Contrast-enhanced abdominal CT, axial slice 20 of 76 (counted from the lowest slice); tube voltage 120 kVp, convolution kernel B; slices 3.00 mm thick, 0.684 mm per pixel.
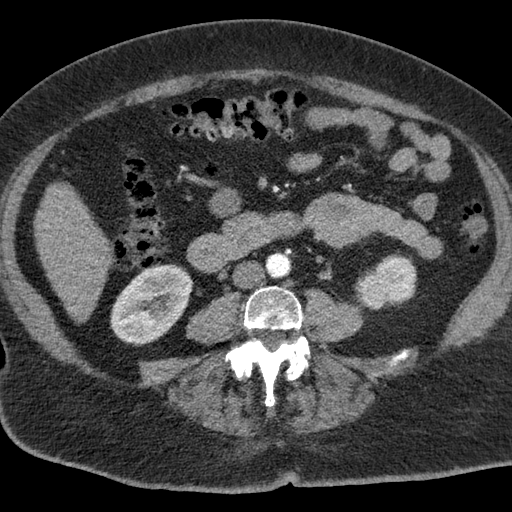
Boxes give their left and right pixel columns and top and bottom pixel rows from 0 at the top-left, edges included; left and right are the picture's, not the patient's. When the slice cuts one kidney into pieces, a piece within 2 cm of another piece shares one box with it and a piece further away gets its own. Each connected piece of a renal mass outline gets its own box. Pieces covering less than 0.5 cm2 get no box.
Three boxes on this slice (two kidney boxes and one renal mass box), listed by box centre from the image's left to its right. (1) Right kidney in the box with left 110, top 263, right 192, bottom 346 (outlined area 4,818 px, about 22.5 cm2). (2) Box with left 354, top 270, right 391, bottom 310: left renal mass (outlined area 1,122 px, about 5.2 cm2). (3) Left kidney in the box with left 370, top 251, right 417, bottom 308 (outlined area 1,525 px, about 7.1 cm2).